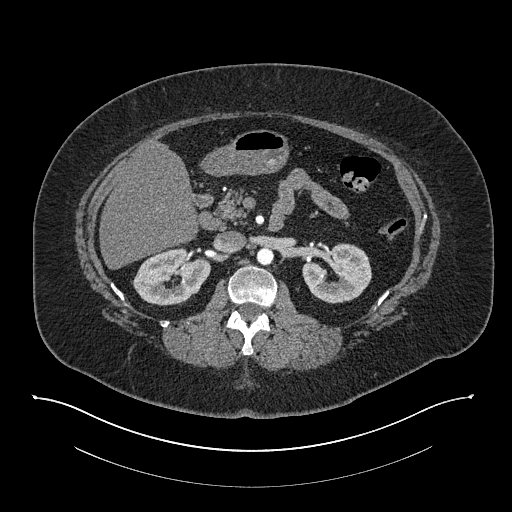
Axial slice 487 of 673 of a contrast-enhanced abdominal CT in the arterial phase (slice 1 is the lowest), 140 kVp, kernel I30f; 1.00 mm slice thickness and 0.957 mm pixels.
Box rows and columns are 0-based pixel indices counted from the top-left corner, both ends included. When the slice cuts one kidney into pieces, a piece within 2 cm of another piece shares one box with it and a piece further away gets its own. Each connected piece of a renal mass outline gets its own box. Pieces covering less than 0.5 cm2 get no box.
Two kidney boxes on this slice; by box centre, from the image's left to its right: (1) Right kidney, box rows 246–305, columns 132–210 (outlined area 3,280 px, about 30.0 cm2). (2) Left kidney, box rows 243–303, columns 302–371 (outlined area 3,027 px, about 27.7 cm2). No renal mass is outlined on this slice.